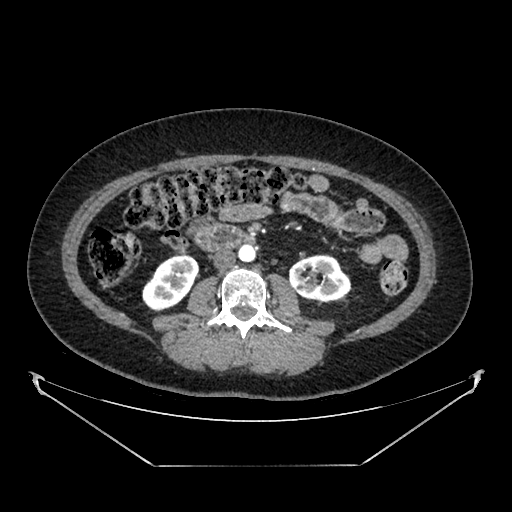
Axial slice 202 of 383 of a contrast-enhanced abdominal CT in the arterial phase (slice 1 is the lowest), 100 kVp, kernel SOFT; 1.25 mm slice thickness and 0.898 mm pixels.
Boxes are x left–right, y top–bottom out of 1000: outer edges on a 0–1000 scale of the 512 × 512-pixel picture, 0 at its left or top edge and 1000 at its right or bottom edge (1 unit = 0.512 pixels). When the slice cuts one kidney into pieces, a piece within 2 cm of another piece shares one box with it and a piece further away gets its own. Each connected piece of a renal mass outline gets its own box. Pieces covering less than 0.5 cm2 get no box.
Two boxes on this slice (two kidney boxes), listed by box centre from the image's left to its right. (1) Right kidney, box x 277–391, y 496–609 out of 1000 (outlined area 2,228 px, about 18.0 cm2). (2) Left kidney, box x 563–686, y 496–592 out of 1000 (outlined area 2,271 px, about 18.3 cm2). No renal mass is outlined on this slice.